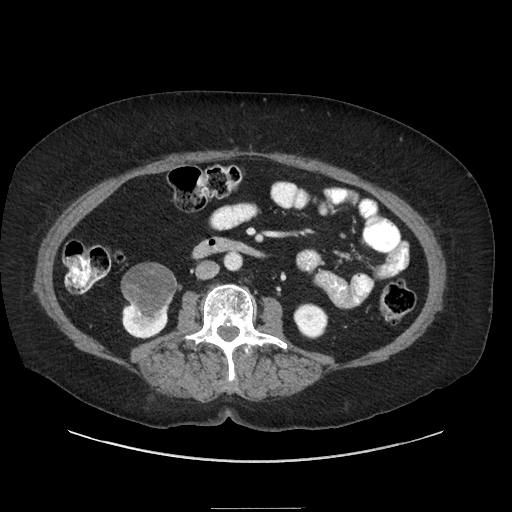
Contrast-enhanced abdominal CT, axial slice 110 of 186 (counted from the lowest slice); tube voltage 120 kVp, convolution kernel STANDARD; slices 2.50 mm thick, 0.850 mm per pixel.
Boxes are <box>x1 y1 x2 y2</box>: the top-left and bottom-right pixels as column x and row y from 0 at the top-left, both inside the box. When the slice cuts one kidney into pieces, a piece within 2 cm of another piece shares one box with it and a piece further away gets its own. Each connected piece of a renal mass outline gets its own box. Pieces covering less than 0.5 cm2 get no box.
Boxed on this slice (two kidney boxes and one renal mass box), listed by box centre from the image's left to its right: (1) Right kidney at <box>122 301 171 339</box> (outlined area 892 px, about 6.4 cm2). (2) Right renal mass: <box>121 262 180 324</box> (outlined area 2,463 px, about 17.8 cm2). (3) At <box>293 303 328 338</box>: left kidney (outlined area 970 px, about 7.0 cm2).